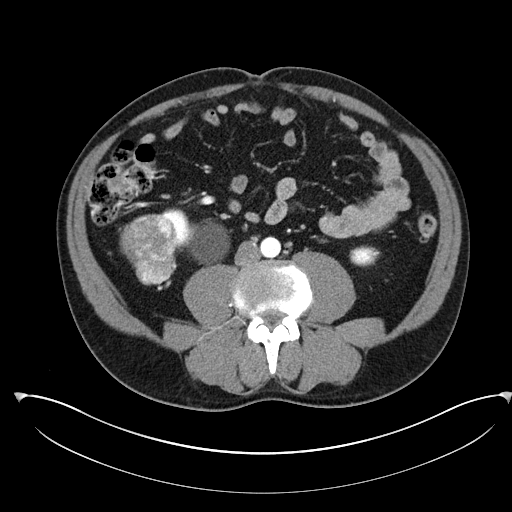
Axial slice 110 of 302 of a contrast-enhanced abdominal CT in the arterial phase (slice 1 is the lowest), 100 kVp, kernel I30f; 5.00 mm slice thickness and 0.875 mm pixels.
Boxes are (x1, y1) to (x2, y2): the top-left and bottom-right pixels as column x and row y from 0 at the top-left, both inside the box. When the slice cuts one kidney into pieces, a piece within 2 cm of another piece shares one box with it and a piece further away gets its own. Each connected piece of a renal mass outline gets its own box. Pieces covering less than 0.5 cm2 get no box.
Two kidney boxes and one renal mass box on this slice; by box centre, from the image's left to its right: (1) Box (118, 214) to (177, 285): right renal mass (outlined area 3,193 px, about 24.4 cm2). (2) Right kidney, box (161, 208) to (229, 264) (outlined area 2,078 px, about 15.9 cm2). (3) Left kidney from (349, 245) to (380, 266) (outlined area 512 px, about 3.9 cm2).